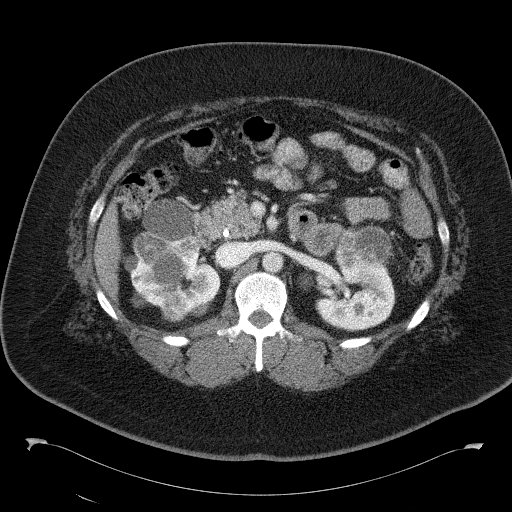
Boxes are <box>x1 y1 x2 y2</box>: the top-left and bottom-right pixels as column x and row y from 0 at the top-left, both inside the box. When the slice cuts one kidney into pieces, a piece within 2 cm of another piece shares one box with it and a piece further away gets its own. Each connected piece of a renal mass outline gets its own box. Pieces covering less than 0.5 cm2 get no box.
Contrast-enhanced abdominal CT, axial slice 80 of 146 (counted from the lowest slice); 5.00 mm thick, 0.840 mm per pixel. Two kidney boxes and four renal mass boxes on this slice; by box centre, from the image's left to its right: (1) At <box>132 231 166 264</box>: renal mass (outlined area 815 px, about 5.7 cm2). (2) Kidney: <box>124 199 220 316</box> (outlined area 5,862 px, about 41.3 cm2). (3) Renal mass at <box>160 296 187 322</box> (outlined area 593 px, about 4.2 cm2). (4) At <box>174 236 201 258</box>: renal mass (outlined area 484 px, about 3.4 cm2). (5) Kidney at <box>300 263 395 330</box> (outlined area 3,657 px, about 25.8 cm2). (6) Renal mass: <box>335 225 391 284</box> (outlined area 2,343 px, about 16.5 cm2).
Tube voltage 120 kVp; convolution kernel B41f.